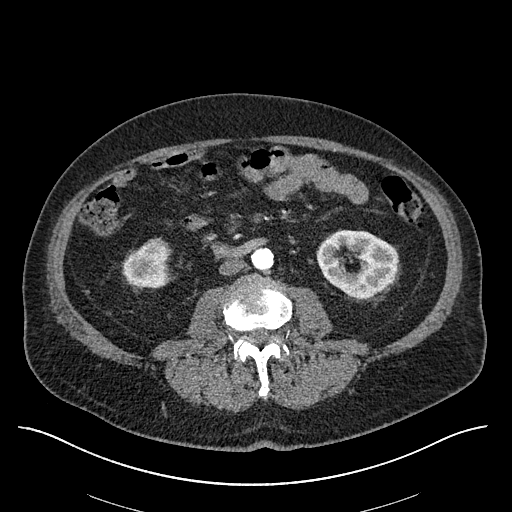
One axial slice (260 of 670, counting up from the lowest) of an arterial-phase abdominal CT acquired with 120 kVp, kernel I30f; each pixel is 0.861 mm and the slice is 1.00 mm thick.
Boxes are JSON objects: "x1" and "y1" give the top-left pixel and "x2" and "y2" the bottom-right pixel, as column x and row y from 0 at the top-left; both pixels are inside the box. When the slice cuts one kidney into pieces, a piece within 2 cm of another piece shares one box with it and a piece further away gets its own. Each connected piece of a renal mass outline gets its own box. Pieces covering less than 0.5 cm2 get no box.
Two boxes on this slice (two kidney boxes), listed by box centre from the image's left to its right. (1) Right kidney, box {"x1": 122, "y1": 237, "x2": 169, "y2": 288} (outlined area 1,893 px, about 14.0 cm2). (2) Box {"x1": 316, "y1": 229, "x2": 398, "y2": 298}: left kidney (outlined area 4,113 px, about 30.5 cm2). No renal mass is outlined on this slice.